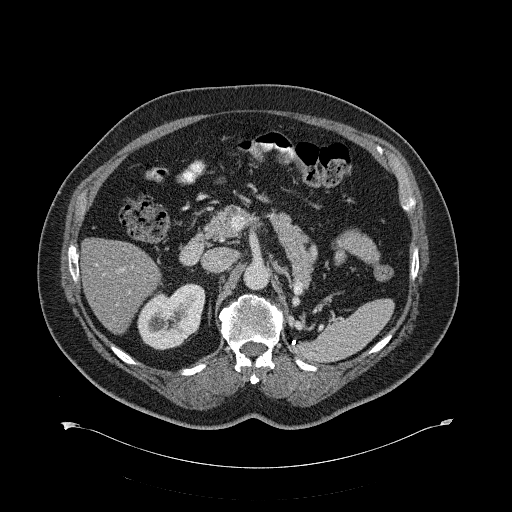
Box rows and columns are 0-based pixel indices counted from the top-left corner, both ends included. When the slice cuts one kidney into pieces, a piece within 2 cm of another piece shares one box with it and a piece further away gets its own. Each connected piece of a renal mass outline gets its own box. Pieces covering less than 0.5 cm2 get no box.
Slice 402/734 of a contrast-enhanced abdominal CT, counting up from the lowest; pixel size 0.971 mm, slice thickness 2.00 mm. Right kidney at rows 283–350, columns 137–205 (outlined area 3,300 px, about 31.1 cm2). No renal mass outline on this slice.
Tube voltage 120 kVp; convolution kernel B31f.